One axial slice (318 of 723, counting up from the lowest) of an arterial-phase abdominal CT acquired with 120 kVp, kernel B30f; each pixel is 0.895 mm and the slice is 1.00 mm thick.
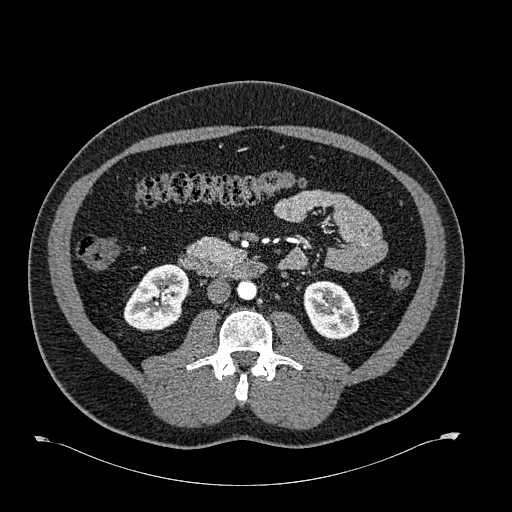
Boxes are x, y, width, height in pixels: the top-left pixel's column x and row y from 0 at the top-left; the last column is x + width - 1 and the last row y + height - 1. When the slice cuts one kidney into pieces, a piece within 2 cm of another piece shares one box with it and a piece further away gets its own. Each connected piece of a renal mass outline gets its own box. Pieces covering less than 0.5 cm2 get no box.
Boxed on this slice (two kidney boxes), listed by box centre from the image's left to its right: (1) Right kidney at x 123, y 264, width 65, height 68 (outlined area 3,169 px, about 25.4 cm2). (2) Box x 303, y 280, width 57, height 60: left kidney (outlined area 2,546 px, about 20.4 cm2). No renal mass outline on this slice.